Axial slice 176 of 274 of a contrast-enhanced abdominal CT in the arterial phase (slice 1 is the lowest), 120 kVp, kernel B30f; 2.00 mm slice thickness and 0.809 mm pixels.
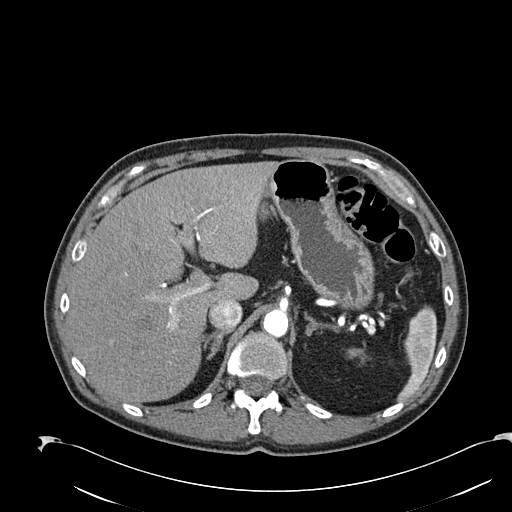
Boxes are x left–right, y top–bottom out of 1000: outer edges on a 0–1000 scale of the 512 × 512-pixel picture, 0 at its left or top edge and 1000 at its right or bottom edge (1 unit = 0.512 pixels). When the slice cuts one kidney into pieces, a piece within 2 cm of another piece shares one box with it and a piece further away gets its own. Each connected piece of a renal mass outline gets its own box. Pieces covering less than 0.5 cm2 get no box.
Left kidney at x 676–707, y 684–699 out of 1000 (outlined area 98 px, about 0.6 cm2). No renal mass is outlined on this slice.